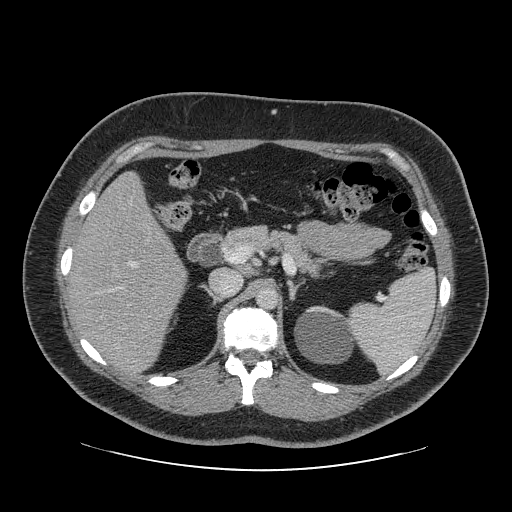
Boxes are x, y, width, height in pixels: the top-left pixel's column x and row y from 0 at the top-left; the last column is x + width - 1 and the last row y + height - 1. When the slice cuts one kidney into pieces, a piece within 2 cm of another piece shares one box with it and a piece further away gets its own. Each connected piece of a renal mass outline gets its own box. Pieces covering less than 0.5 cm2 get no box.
Arterial-phase contrast-enhanced abdominal CT, axial slice 56 of 69 (counted from the lowest slice); 2.50 mm thick, 0.846 mm per pixel. Box x 294, y 305, width 61, height 60: left kidney (outlined area 2,756 px, about 19.7 cm2). No renal mass is outlined on this slice.
Tube voltage 120 kVp; convolution kernel STANDARD.